One axial slice (112 of 207, counting up from the lowest) of an arterial-phase abdominal CT acquired with 120 kVp, kernel FC18; each pixel is 0.741 mm and the slice is 2.00 mm thick.
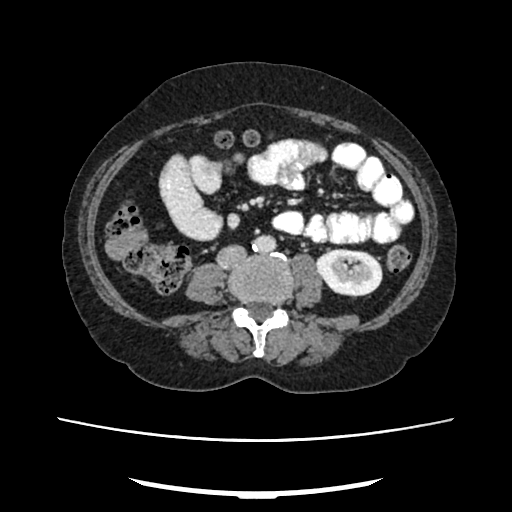
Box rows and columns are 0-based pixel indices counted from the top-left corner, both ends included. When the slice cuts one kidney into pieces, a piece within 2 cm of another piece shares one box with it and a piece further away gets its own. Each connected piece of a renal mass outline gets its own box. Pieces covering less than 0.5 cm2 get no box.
Left kidney, box rows 248–297, columns 315–382 (outlined area 2,574 px, about 14.1 cm2). This slice carries no renal mass outline.